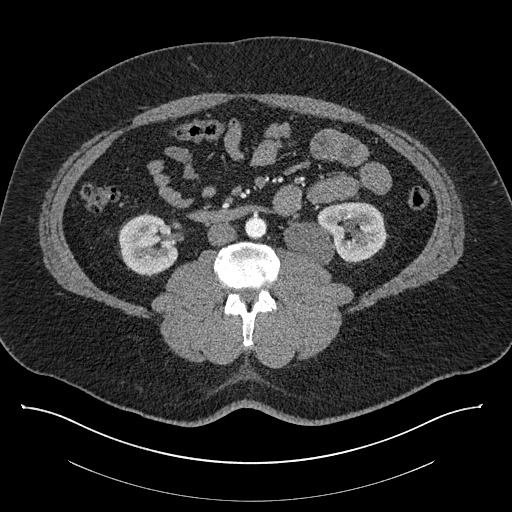
Abdominal CT with intravenous contrast, axial plane, 140 kVp, kernel I30f. Slice 419/787 from the bottom of the scan; thickness 1.00 mm; pixel size 0.910 mm.
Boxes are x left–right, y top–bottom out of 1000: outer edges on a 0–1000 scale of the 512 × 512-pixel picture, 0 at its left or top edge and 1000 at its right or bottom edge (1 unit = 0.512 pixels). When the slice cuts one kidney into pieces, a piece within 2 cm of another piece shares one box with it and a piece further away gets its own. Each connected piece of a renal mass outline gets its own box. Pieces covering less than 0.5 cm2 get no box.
Two kidney boxes on this slice; by box centre, from the image's left to its right: (1) Box x 230–350, y 416–541 out of 1000: right kidney (outlined area 2,871 px, about 23.8 cm2). (2) Left kidney, box x 553–756, y 395–520 out of 1000 (outlined area 4,774 px, about 39.5 cm2). No renal mass is outlined on this slice.